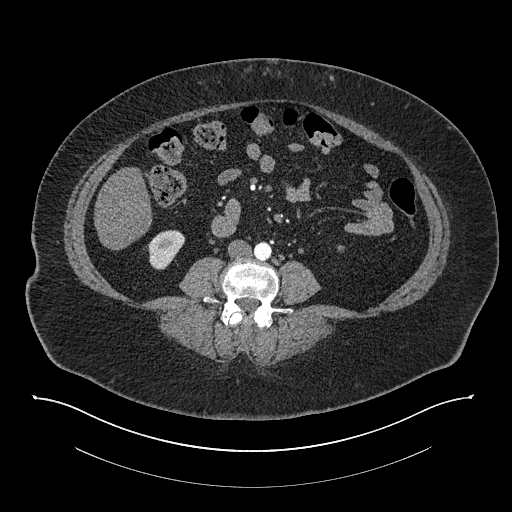
Axial slice 340 of 673 of a contrast-enhanced abdominal CT in the arterial phase (slice 1 is the lowest), 140 kVp, kernel I30f; 1.00 mm slice thickness and 0.957 mm pixels.
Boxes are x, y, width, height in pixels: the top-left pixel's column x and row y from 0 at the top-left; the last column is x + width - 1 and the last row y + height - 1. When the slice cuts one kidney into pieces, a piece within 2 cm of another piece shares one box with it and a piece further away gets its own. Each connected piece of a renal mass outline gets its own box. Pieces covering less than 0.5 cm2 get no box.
Right kidney at x 147, y 230, width 39, height 40 (outlined area 1,053 px, about 9.6 cm2). No renal mass outline on this slice.